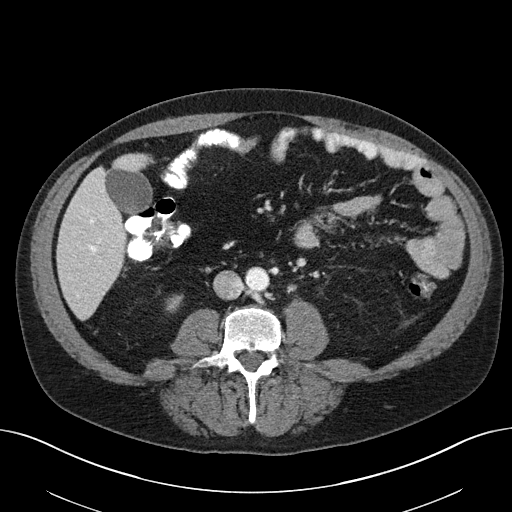
Axial slice 92 of 163 of a contrast-enhanced abdominal CT (slice 1 is the lowest), 100 kVp, kernel I40f; 3.00 mm slice thickness and 0.799 mm pixels.
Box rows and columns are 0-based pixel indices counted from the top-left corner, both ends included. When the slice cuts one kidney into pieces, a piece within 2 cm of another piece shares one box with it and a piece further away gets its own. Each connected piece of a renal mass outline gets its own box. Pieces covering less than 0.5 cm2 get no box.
Right kidney at rows 296–310, columns 167–181 (outlined area 149 px, about 1.0 cm2). This slice carries no renal mass outline.